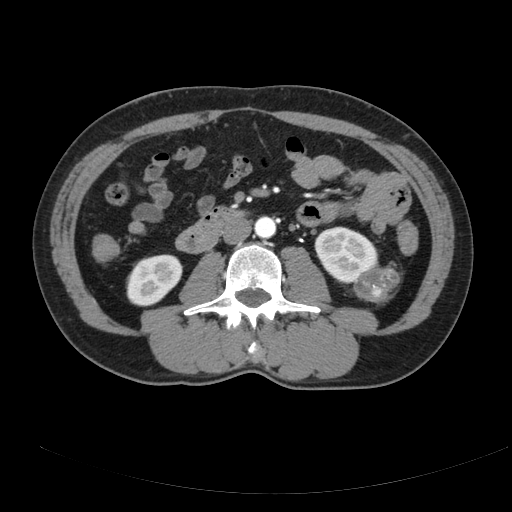
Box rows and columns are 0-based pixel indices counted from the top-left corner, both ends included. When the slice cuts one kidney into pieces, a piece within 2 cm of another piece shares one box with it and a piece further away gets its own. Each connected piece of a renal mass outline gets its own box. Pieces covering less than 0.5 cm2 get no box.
This is axial slice 96 of 178 (slice 1 is the lowest) of an abdominal CT with contrast; each pixel is 0.818 mm and the slice is 3.00 mm thick. Three boxes on this slice (two kidney boxes and one renal mass box), listed by box centre from the image's left to its right. (1) Right kidney, box rows 254–306, columns 127–182 (outlined area 2,203 px, about 14.8 cm2). (2) Left kidney, box rows 226–284, columns 314–378 (outlined area 2,609 px, about 17.5 cm2). (3) Left renal mass at rows 265–302, columns 353–400 (outlined area 1,331 px, about 8.9 cm2).
Scan settings: 120 kVp, B reconstruction kernel.